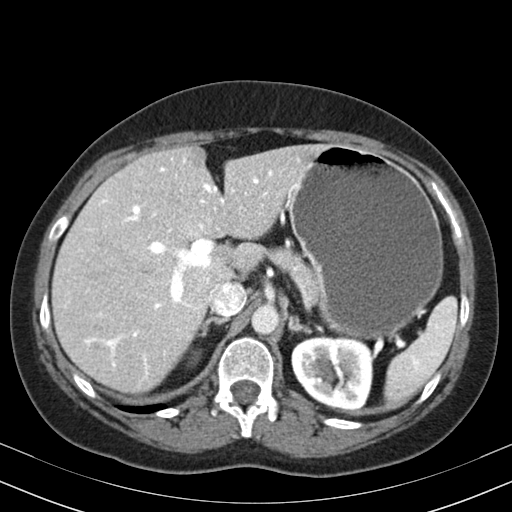
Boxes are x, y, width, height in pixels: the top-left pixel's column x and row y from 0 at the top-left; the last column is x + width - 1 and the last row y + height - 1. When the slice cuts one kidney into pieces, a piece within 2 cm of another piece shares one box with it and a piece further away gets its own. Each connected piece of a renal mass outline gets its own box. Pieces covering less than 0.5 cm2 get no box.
Slice 131/164 of a contrast-enhanced abdominal CT in the arterial phase, counting up from the lowest; pixel size 0.664 mm, slice thickness 3.00 mm. Two kidney boxes on this slice; by box centre, from the image's left to its right: (1) Right kidney, box x 187, y 349, width 15, height 17 (outlined area 135 px, about 0.6 cm2). (2) Box x 291, y 336, width 82, height 74: left kidney (outlined area 4,946 px, about 21.8 cm2). No renal mass outline on this slice.
Acquired at 130 kVp and reconstructed with the B30s kernel.